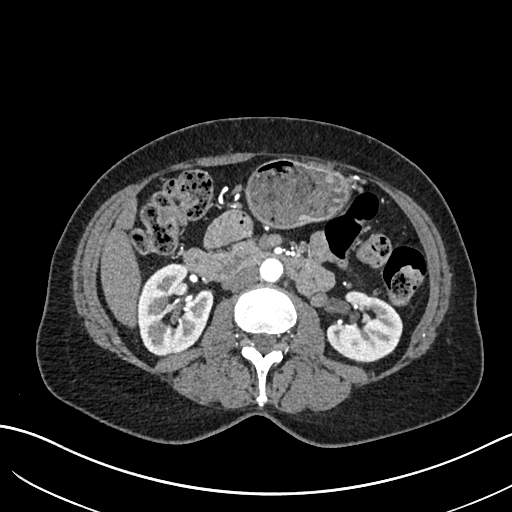
Abdominal CT with intravenous contrast, arterial phase, axial plane, 120 kVp, kernel I30f. Slice 356/683 from the bottom of the scan; thickness 1.00 mm; pixel size 0.738 mm.
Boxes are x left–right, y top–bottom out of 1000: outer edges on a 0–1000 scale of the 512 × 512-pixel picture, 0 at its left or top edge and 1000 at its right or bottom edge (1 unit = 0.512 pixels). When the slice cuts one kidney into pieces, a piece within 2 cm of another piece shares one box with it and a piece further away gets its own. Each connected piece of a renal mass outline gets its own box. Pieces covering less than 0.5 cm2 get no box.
Boxed on this slice (two kidney boxes), listed by box centre from the image's left to its right: (1) Right kidney at x 266–420, y 514–695 out of 1000 (outlined area 5,258 px, about 28.7 cm2). (2) Left kidney at x 637–787, y 568–707 out of 1000 (outlined area 3,696 px, about 20.1 cm2). No renal mass outline on this slice.